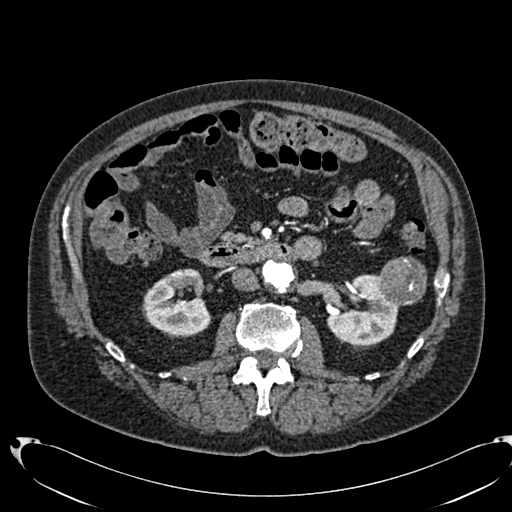
Arterial-phase contrast-enhanced abdominal CT, axial slice 397 of 553 (counted from the lowest slice); tube voltage 120 kVp, convolution kernel B20f; slices 1.00 mm thick, 0.773 mm per pixel.
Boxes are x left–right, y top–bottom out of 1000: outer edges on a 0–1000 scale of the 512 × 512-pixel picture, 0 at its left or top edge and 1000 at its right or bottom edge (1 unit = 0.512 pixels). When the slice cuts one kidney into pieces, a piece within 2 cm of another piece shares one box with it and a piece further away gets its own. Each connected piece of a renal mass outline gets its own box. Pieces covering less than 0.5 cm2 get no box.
Three boxes on this slice (two kidney boxes and one renal mass box), listed by box centre from the image's left to its right. (1) Right kidney at x 279–414, y 523–658 out of 1000 (outlined area 3,391 px, about 20.3 cm2). (2) Box x 639–781, y 535–676 out of 1000: left kidney (outlined area 3,351 px, about 20.0 cm2). (3) Left renal mass at x 734–834, y 500–598 out of 1000 (outlined area 1,980 px, about 11.8 cm2).